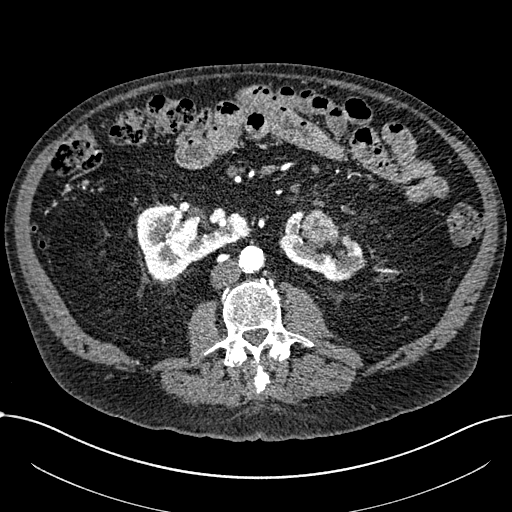
Abdominal CT with intravenous contrast, arterial phase, axial plane, 100 kVp, kernel I30f. Slice 331/1059 from the bottom of the scan; thickness 1.00 mm; pixel size 0.811 mm.
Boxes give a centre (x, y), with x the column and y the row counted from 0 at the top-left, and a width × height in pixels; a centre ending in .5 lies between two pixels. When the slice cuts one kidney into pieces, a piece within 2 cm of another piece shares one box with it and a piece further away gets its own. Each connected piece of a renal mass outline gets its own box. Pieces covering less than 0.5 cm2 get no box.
Two kidney boxes and one renal mass box on this slice; by box centre, from the image's left to its right: (1) Right part of the midline-crossing kidney, box centre (192.5, 241.5), 114 × 78 pixels (outlined area 5,734 px, about 37.7 cm2). (2) Box centre (319, 228.5), 39 × 40 pixels: renal mass (outlined area 1,105 px, about 7.3 cm2). (3) Box centre (322.5, 246), 88 × 71 pixels: left part of the midline-crossing kidney (outlined area 2,788 px, about 18.3 cm2).